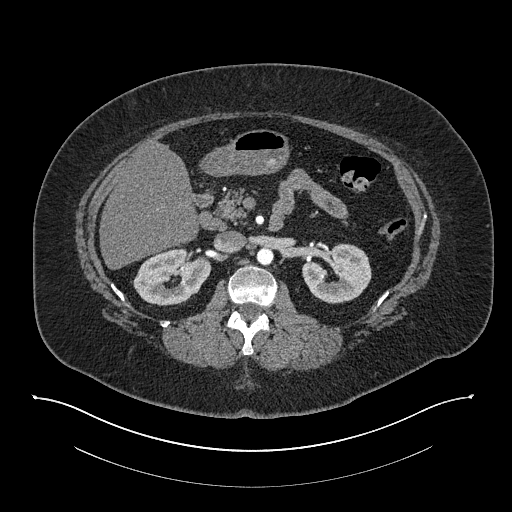
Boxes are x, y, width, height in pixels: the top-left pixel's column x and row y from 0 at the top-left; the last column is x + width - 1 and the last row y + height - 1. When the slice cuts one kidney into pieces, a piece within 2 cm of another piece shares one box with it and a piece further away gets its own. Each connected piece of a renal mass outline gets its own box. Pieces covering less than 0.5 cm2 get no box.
Arterial-phase contrast-enhanced abdominal CT, axial slice 488 of 673 (counted from the lowest slice); 1.00 mm thick, 0.957 mm per pixel. Two kidney boxes on this slice; by box centre, from the image's left to its right: (1) Box x 132, y 247, width 80, height 59: right kidney (outlined area 3,273 px, about 30.0 cm2). (2) Left kidney, box x 302, y 243, width 70, height 61 (outlined area 3,024 px, about 27.7 cm2). This slice carries no renal mass outline.
Tube voltage 140 kVp; convolution kernel I30f.